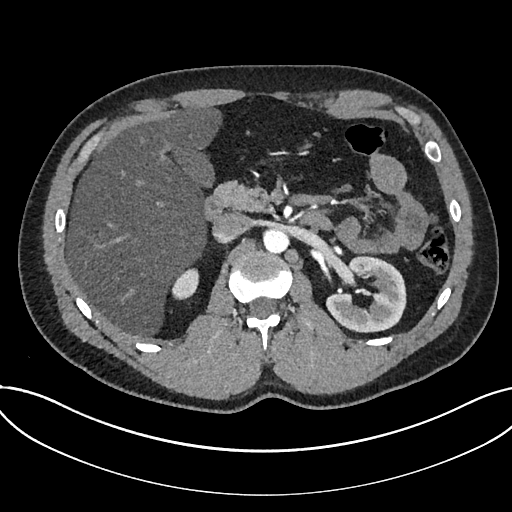
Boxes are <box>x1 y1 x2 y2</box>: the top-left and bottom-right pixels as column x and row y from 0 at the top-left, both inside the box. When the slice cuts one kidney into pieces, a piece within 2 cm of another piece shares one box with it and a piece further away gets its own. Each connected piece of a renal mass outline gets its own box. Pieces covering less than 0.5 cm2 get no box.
Arterial-phase contrast-enhanced abdominal CT, axial slice 468 of 735 (counted from the lowest slice); 1.00 mm thick, 0.789 mm per pixel. Boxed on this slice (two kidney boxes), listed by box centre from the image's left to its right: (1) At <box>171 268 199 299</box>: kidney (outlined area 647 px, about 4.0 cm2). (2) Kidney at <box>326 256 406 332</box> (outlined area 4,303 px, about 26.8 cm2). No renal mass outline on this slice.
Acquired at 120 kVp and reconstructed with the I30f kernel.